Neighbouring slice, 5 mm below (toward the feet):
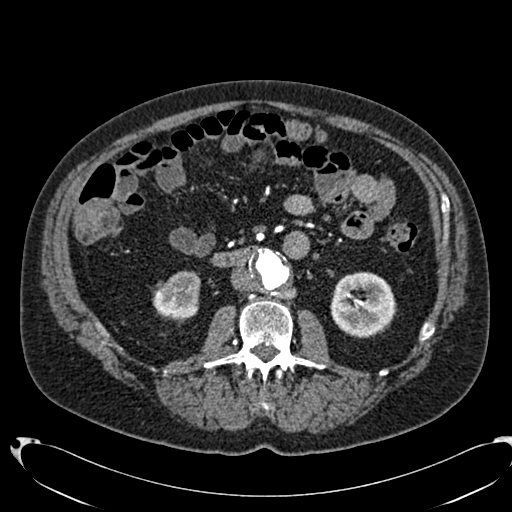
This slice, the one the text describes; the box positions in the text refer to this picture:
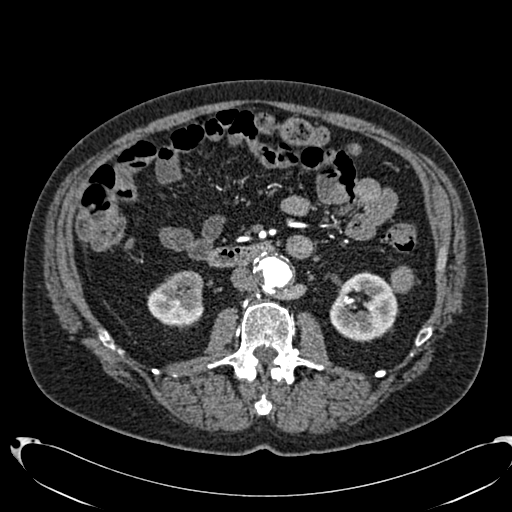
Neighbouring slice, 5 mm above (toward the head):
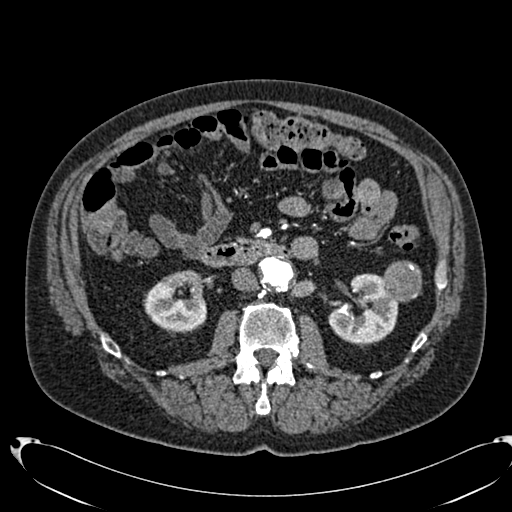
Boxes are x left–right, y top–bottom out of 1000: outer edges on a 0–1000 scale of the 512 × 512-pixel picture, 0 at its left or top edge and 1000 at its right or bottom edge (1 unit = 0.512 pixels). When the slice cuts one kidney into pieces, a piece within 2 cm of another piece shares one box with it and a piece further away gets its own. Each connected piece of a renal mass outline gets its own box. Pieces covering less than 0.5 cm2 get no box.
Slice 379/553 of a contrast-enhanced abdominal CT in the arterial phase, counting up from the lowest; pixel size 0.773 mm, slice thickness 1.00 mm. Boxed on this slice (two kidney boxes and one renal mass box), listed by box centre from the image's left to its right: (1) Right kidney at x 287–398, y 527–645 out of 1000 (outlined area 2,497 px, about 14.9 cm2). (2) Left kidney, box x 643–779, y 529–670 out of 1000 (outlined area 3,483 px, about 20.8 cm2). (3) Box x 762–811, y 520–574 out of 1000: left renal mass (outlined area 533 px, about 3.2 cm2). This slice lies near the end of the left renal mass toward the feet; the slices 5 mm below and 5 mm above it are shown too, and the boxes mark positions on this slice only.
Acquired at 120 kVp and reconstructed with the B20f kernel.